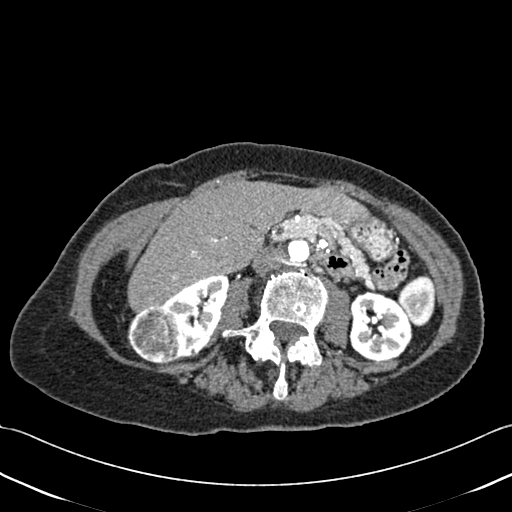
Axial slice 217 of 433 of a contrast-enhanced abdominal CT (slice 1 is the lowest), 120 kVp, kernel B30f; 1.00 mm slice thickness and 0.672 mm pixels.
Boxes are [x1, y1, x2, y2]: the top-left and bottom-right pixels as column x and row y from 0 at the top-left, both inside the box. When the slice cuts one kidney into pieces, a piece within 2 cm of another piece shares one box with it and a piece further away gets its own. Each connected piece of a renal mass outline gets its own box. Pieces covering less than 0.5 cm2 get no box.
Boxed on this slice (two kidney boxes and one renal mass box), listed by box centre from the image's left to its right: (1) Right renal mass, box [127, 305, 183, 364] (outlined area 2,622 px, about 11.8 cm2). (2) Right kidney at [162, 274, 229, 360] (outlined area 3,146 px, about 14.2 cm2). (3) Left kidney, box [349, 291, 412, 360] (outlined area 3,455 px, about 15.6 cm2).